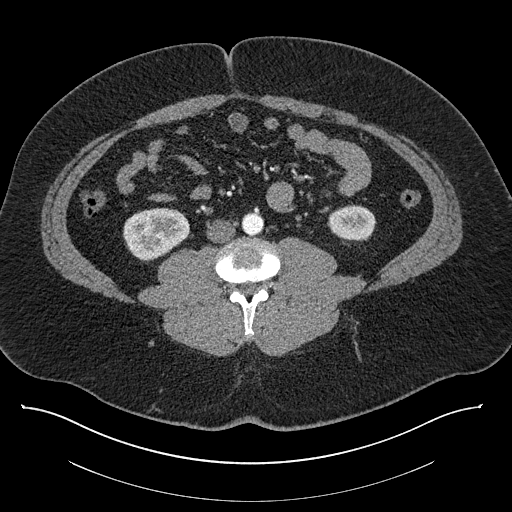
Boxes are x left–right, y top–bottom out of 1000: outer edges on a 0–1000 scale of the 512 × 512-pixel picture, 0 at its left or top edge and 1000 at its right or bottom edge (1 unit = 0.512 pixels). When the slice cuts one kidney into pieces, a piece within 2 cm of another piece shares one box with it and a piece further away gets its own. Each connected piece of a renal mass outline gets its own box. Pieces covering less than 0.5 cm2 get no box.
Contrast-enhanced abdominal CT, axial slice 365 of 787 (counted from the lowest slice); 1.00 mm thick, 0.910 mm per pixel. Two boxes on this slice (two kidney boxes), listed by box centre from the image's left to its right. (1) Box x 240–371, y 404–512 out of 1000: right kidney (outlined area 2,701 px, about 22.4 cm2). (2) Left kidney, box x 639–736, y 398–471 out of 1000 (outlined area 1,410 px, about 11.7 cm2). No renal mass outline on this slice.
Tube voltage 140 kVp; convolution kernel I30f.